Abdominal CT with intravenous contrast, arterial phase, axial plane, 120 kVp, kernel B31f. Slice 37/140 from the bottom of the scan; thickness 5.00 mm; pixel size 0.754 mm.
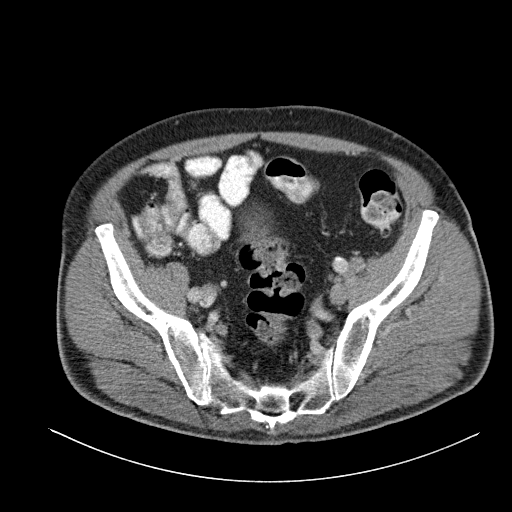
This slice carries no outline: it lies beyond the outlined kidneys and beyond every outlined renal mass. Other organs are not outlined in this scan.